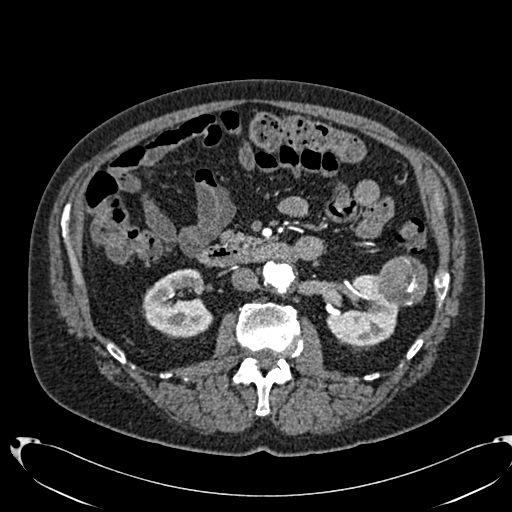
One axial slice (399 of 553, counting up from the lowest) of an arterial-phase abdominal CT acquired with 120 kVp, kernel B20f; each pixel is 0.773 mm and the slice is 1.00 mm thick.
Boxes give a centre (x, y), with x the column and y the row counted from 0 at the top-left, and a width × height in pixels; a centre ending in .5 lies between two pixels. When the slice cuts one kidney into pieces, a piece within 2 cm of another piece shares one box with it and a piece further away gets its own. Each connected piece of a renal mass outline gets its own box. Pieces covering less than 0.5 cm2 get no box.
Two kidney boxes and one renal mass box on this slice; by box centre, from the image's left to its right: (1) Right kidney, box centre (178, 302.5), 71 × 70 pixels (outlined area 3,522 px, about 21.1 cm2). (2) Box centre (362.5, 309.5), 74 × 72 pixels: left kidney (outlined area 3,311 px, about 19.8 cm2). (3) Box centre (400, 280.5), 55 × 52 pixels: left renal mass (outlined area 2,136 px, about 12.8 cm2).